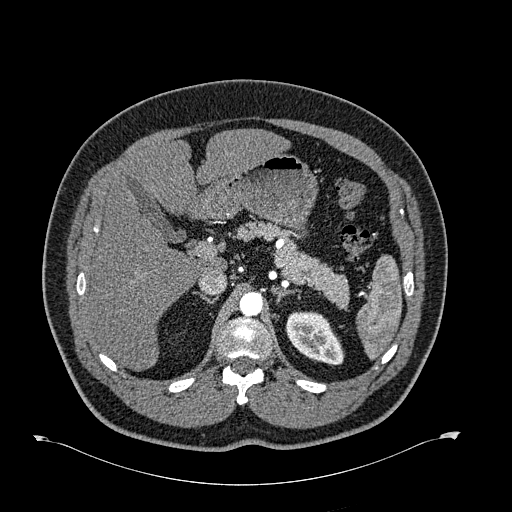
Axial slice 466 of 723 of a contrast-enhanced abdominal CT in the arterial phase (slice 1 is the lowest), 120 kVp, kernel B30f; 1.00 mm slice thickness and 0.895 mm pixels.
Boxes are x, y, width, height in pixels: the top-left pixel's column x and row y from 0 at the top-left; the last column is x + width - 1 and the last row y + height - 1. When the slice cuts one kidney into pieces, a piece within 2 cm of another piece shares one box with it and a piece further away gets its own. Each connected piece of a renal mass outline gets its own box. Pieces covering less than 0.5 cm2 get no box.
Left kidney at x 285, y 311, width 60, height 55 (outlined area 2,232 px, about 17.9 cm2). No renal mass is outlined on this slice.